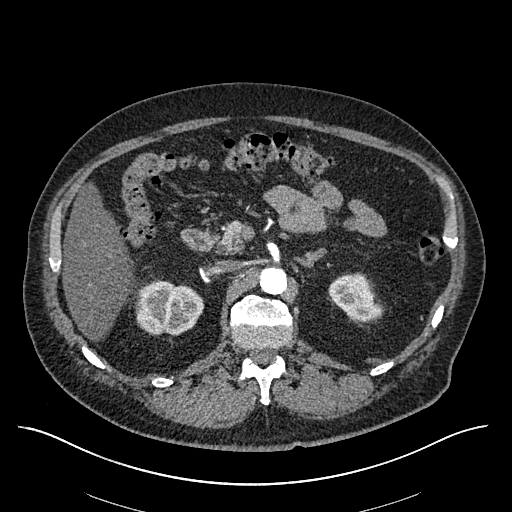
Axial slice 381 of 670 of a contrast-enhanced abdominal CT in the arterial phase (slice 1 is the lowest), 120 kVp, kernel I30f; 1.00 mm slice thickness and 0.861 mm pixels.
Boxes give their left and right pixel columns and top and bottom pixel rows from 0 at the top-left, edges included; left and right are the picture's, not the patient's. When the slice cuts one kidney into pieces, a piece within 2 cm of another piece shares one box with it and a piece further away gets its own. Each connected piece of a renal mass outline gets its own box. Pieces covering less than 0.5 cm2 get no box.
Two boxes on this slice (two kidney boxes), listed by box centre from the image's left to its right. (1) Right kidney, the box with left 135, top 278, right 203, bottom 334 (outlined area 3,002 px, about 22.3 cm2). (2) Left kidney, the box with left 328, top 273, right 380, bottom 322 (outlined area 1,803 px, about 13.4 cm2). No renal mass outline on this slice.